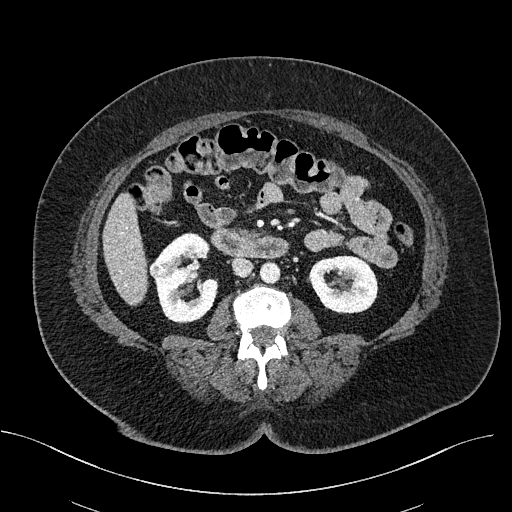
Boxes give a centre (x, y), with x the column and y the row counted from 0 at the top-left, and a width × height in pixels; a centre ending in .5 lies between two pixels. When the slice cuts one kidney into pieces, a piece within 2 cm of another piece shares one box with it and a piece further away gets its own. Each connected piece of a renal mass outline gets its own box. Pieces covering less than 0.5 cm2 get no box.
This is axial slice 280 of 470 (slice 1 is the lowest) of an abdominal CT with contrast; each pixel is 0.824 mm and the slice is 2.00 mm thick. Two kidney boxes and one renal mass box on this slice; by box centre, from the image's left to its right: (1) Right renal mass, box centre (157, 269.5), 17 × 18 pixels (outlined area 250 px, about 1.7 cm2). (2) Box centre (186, 277.5), 65 × 92 pixels: right kidney (outlined area 3,984 px, about 27.1 cm2). (3) Box centre (343, 284), 71 × 59 pixels: left kidney (outlined area 3,174 px, about 21.6 cm2).
Tube voltage 100 kVp; convolution kernel I40f.